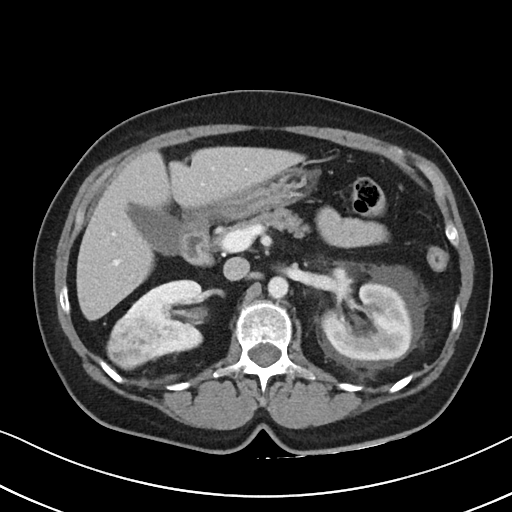
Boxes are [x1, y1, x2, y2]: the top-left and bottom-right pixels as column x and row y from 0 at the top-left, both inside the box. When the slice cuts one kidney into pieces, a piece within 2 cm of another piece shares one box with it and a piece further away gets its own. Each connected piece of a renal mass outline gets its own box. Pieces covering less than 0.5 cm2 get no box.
This is axial slice 61 of 88 (slice 1 is the lowest) of an abdominal CT with contrast; each pixel is 0.674 mm and the slice is 5.00 mm thick. Three boxes on this slice (two kidney boxes and one renal mass box), listed by box centre from the image's left to its right. (1) Right renal mass, box [106, 317, 158, 370] (outlined area 2,120 px, about 9.6 cm2). (2) Right kidney, box [123, 279, 203, 356] (outlined area 3,743 px, about 17.0 cm2). (3) Left kidney, box [320, 282, 412, 360] (outlined area 5,468 px, about 24.8 cm2).
Tube voltage 100 kVp; convolution kernel I40f.